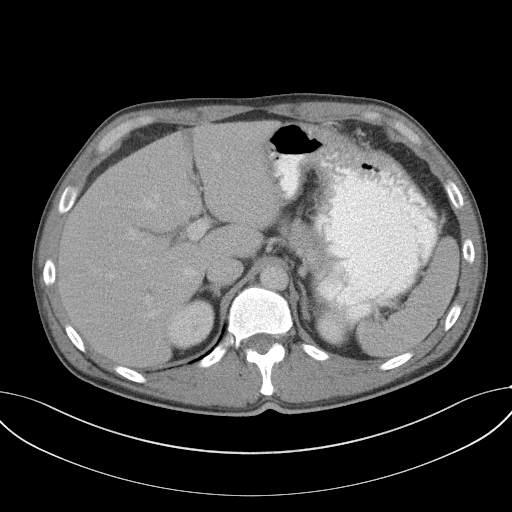
Contrast-enhanced abdominal CT, axial slice 78 of 102 (counted from the lowest slice); tube voltage 120 kVp, convolution kernel B41f; slices 5.00 mm thick, 0.807 mm per pixel.
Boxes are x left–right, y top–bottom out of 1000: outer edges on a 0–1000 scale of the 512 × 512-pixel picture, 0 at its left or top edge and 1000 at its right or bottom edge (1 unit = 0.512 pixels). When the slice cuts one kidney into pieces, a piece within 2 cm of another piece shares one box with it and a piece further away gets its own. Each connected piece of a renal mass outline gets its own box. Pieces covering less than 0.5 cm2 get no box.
Two boxes on this slice (two kidney boxes), listed by box centre from the image's left to its right. (1) Right kidney at x 324–420, y 580–684 out of 1000 (outlined area 1,870 px, about 12.2 cm2). (2) Left kidney at x 615–682, y 609–680 out of 1000 (outlined area 919 px, about 6.0 cm2). This slice carries no renal mass outline.